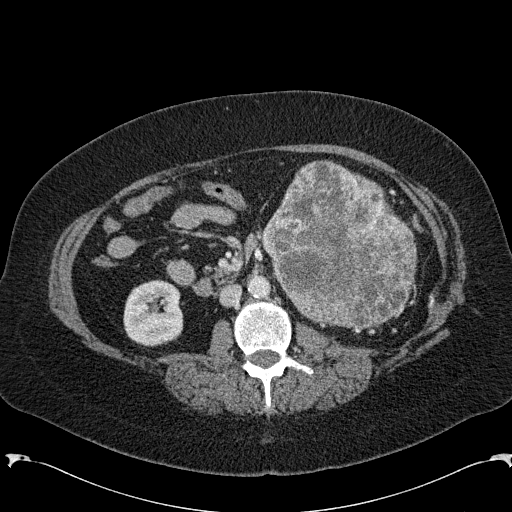
Axial slice 112 of 285 of a contrast-enhanced abdominal CT in the arterial phase (slice 1 is the lowest), 120 kVp, kernel B31f; 2.00 mm slice thickness and 0.762 mm pixels.
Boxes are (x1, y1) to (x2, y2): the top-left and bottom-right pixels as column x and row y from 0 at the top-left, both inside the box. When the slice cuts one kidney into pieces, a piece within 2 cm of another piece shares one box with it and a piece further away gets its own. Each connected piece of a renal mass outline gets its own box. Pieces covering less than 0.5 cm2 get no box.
Two boxes on this slice (one kidney box and one renal mass box), listed by box centre from the image's left to its right. (1) Right kidney from (123, 279) to (183, 346) (outlined area 3,300 px, about 19.1 cm2). (2) Left renal mass from (261, 160) to (417, 329) (outlined area 19,157 px, about 111.2 cm2); it sits over 1 cm from every kidney outline on this slice, but the same outlined renal mass comes within 1 cm of the kidney on another slice.